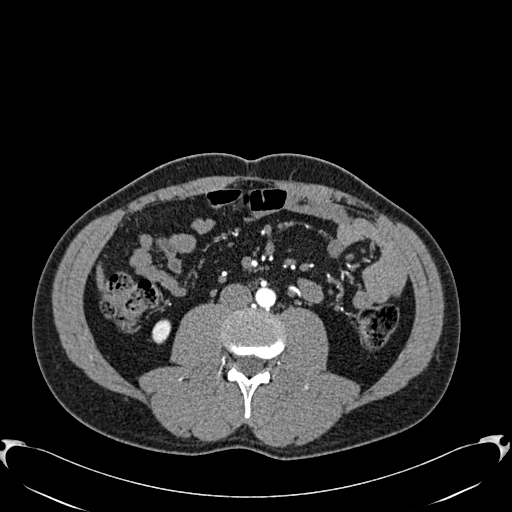
Axial slice 259 of 512 of a contrast-enhanced abdominal CT in the arterial phase (slice 1 is the lowest), 120 kVp, kernel B30f; 1.00 mm slice thickness and 0.771 mm pixels.
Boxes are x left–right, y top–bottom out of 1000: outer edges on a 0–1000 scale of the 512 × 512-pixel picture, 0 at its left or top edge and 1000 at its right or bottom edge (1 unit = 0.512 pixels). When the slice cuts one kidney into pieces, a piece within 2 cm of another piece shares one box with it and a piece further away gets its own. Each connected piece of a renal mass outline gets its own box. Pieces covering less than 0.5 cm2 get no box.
Right kidney, box x 297–336, y 623–674 out of 1000 (outlined area 373 px, about 2.2 cm2). No renal mass outline on this slice.